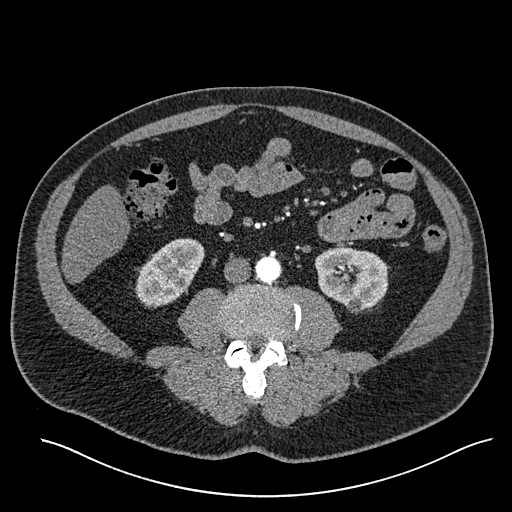
Abdominal CT with intravenous contrast, arterial phase, axial plane, 120 kVp, kernel I30f. Slice 231/527 from the bottom of the scan; thickness 1.00 mm; pixel size 0.859 mm.
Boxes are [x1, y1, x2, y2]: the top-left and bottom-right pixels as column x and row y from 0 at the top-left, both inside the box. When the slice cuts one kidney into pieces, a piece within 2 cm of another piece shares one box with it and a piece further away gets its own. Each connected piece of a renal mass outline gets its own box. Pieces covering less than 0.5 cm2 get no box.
Boxed on this slice (two kidney boxes), listed by box centre from the image's left to its right: (1) Right kidney, box [135, 238, 204, 307] (outlined area 3,242 px, about 23.9 cm2). (2) Box [314, 246, 390, 314]: left kidney (outlined area 3,718 px, about 27.5 cm2). No renal mass outline on this slice.